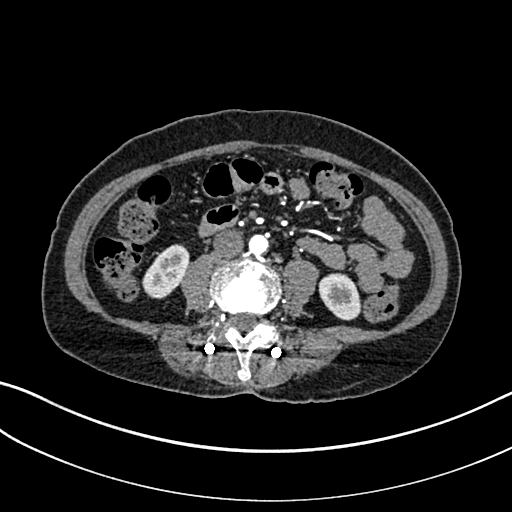
Arterial-phase contrast-enhanced abdominal CT, axial slice 67 of 325 (counted from the lowest slice); tube voltage 100 kVp, convolution kernel I30f; slices 1.00 mm thick, 0.703 mm per pixel.
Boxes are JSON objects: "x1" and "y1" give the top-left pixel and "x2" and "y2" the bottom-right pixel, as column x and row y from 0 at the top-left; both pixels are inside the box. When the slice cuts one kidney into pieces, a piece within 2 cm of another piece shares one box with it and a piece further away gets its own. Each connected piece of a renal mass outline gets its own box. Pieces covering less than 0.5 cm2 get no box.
Boxed on this slice (two kidney boxes), listed by box centre from the image's left to its right: (1) Box {"x1": 142, "y1": 244, "x2": 189, "y2": 298}: right kidney (outlined area 1,736 px, about 8.6 cm2). (2) Box {"x1": 318, "y1": 273, "x2": 361, "y2": 320}: left kidney (outlined area 1,530 px, about 7.6 cm2). No renal mass outline on this slice.